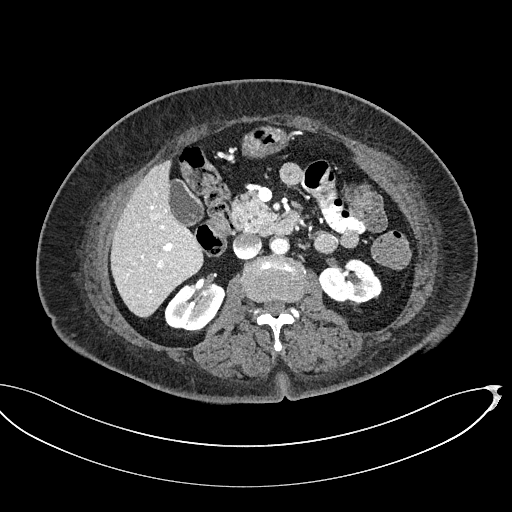
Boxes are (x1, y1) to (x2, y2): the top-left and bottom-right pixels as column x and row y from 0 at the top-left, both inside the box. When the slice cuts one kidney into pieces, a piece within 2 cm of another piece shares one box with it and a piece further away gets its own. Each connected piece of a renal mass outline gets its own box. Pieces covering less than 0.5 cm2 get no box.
Slice 291/439 of a contrast-enhanced abdominal CT, counting up from the lowest; pixel size 0.850 mm, slice thickness 2.00 mm. Two boxes on this slice (two kidney boxes), listed by box centre from the image's left to its right. (1) Right kidney from (164, 283) to (225, 332) (outlined area 2,209 px, about 15.9 cm2). (2) Left kidney, box (319, 258) to (382, 307) (outlined area 2,142 px, about 15.5 cm2). No renal mass outline on this slice.
Acquired at 100 kVp and reconstructed with the I40f kernel.